Contrast-enhanced abdominal CT, axial slice 55 of 101 (counted from the lowest slice); tube voltage 100 kVp, convolution kernel I40f; slices 5.00 mm thick, 0.879 mm per pixel.
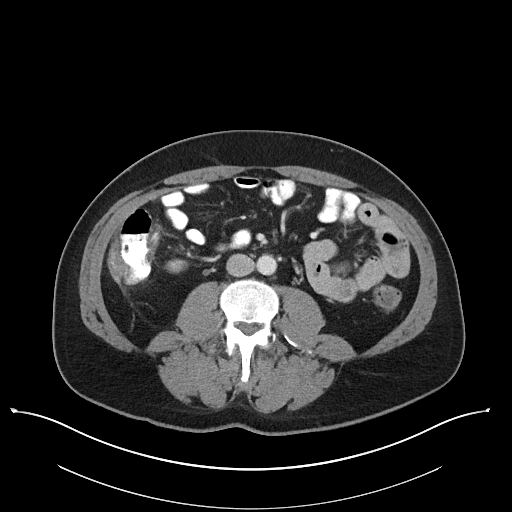
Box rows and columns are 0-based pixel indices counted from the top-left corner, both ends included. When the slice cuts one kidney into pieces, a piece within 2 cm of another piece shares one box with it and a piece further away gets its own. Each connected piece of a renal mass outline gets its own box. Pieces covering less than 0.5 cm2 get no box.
Right kidney, box rows 258–273, columns 164–188 (outlined area 272 px, about 2.1 cm2). This slice carries no renal mass outline.